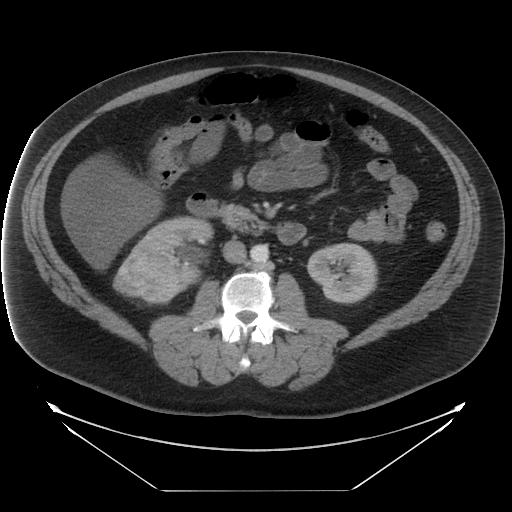
Contrast-enhanced abdominal CT, axial slice 12 of 29 (counted from the lowest slice); tube voltage 120 kVp, convolution kernel STANDARD; slices 5.00 mm thick, 0.977 mm per pixel.
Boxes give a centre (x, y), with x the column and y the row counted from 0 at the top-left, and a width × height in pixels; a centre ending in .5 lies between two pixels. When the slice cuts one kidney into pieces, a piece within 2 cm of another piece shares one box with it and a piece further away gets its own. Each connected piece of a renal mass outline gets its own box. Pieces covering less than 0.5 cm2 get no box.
Three boxes on this slice (two kidney boxes and one renal mass box), listed by box centre from the image's left to its right. (1) Right renal mass, box centre (146, 279.5), 67 × 50 pixels (outlined area 2,517 px, about 24.0 cm2). (2) Right kidney, box centre (169, 254), 89 × 77 pixels (outlined area 3,465 px, about 33.0 cm2). (3) Left kidney in a box with centre (342, 273), 71 × 61 pixels (outlined area 3,343 px, about 31.9 cm2).